Arterial-phase contrast-enhanced abdominal CT, axial slice 411 of 512 (counted from the lowest slice); tube voltage 120 kVp, convolution kernel B30f; slices 1.00 mm thick, 0.771 mm per pixel.
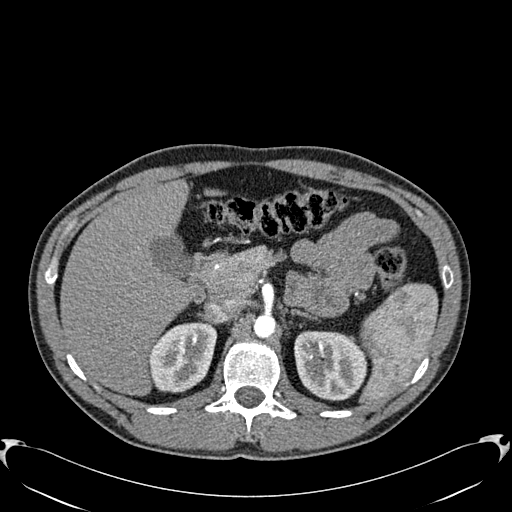
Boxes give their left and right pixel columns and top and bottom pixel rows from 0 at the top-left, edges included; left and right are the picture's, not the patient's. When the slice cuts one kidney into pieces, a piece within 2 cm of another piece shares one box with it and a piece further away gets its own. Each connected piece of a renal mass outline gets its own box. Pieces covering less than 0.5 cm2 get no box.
Boxed on this slice (two kidney boxes), listed by box centre from the image's left to its right: (1) Right kidney in the box with left 148, top 321, right 217, bottom 392 (outlined area 3,751 px, about 22.3 cm2). (2) Left kidney in the box with left 294, top 330, right 367, bottom 400 (outlined area 4,152 px, about 24.7 cm2). This slice carries no renal mass outline.